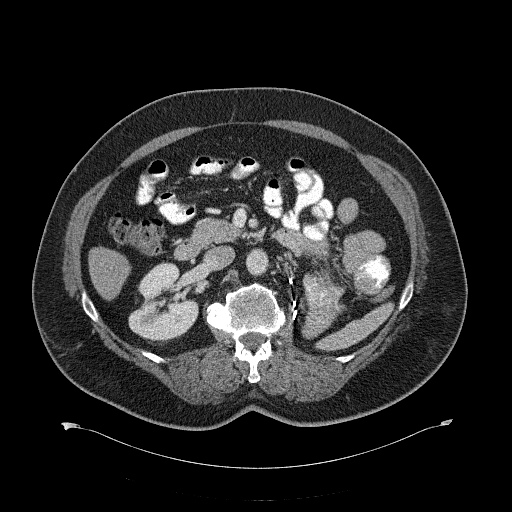
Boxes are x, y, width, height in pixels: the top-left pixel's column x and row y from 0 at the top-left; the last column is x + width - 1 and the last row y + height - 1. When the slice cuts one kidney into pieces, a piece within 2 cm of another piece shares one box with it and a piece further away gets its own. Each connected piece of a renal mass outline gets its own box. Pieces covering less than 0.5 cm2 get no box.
Contrast-enhanced abdominal CT, axial slice 369 of 734 (counted from the lowest slice); 2.00 mm thick, 0.971 mm per pixel. Box x 128, y 262, width 71, height 79: right kidney (outlined area 3,852 px, about 36.3 cm2). This slice carries no renal mass outline.
Scan settings: 120 kVp, B31f reconstruction kernel.